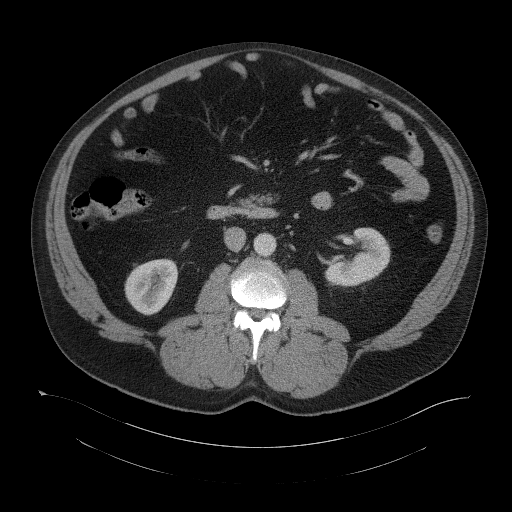
Contrast-enhanced abdominal CT, axial slice 62 of 104 (counted from the lowest slice); tube voltage 120 kVp, convolution kernel B41f; slices 5.00 mm thick, 0.977 mm per pixel.
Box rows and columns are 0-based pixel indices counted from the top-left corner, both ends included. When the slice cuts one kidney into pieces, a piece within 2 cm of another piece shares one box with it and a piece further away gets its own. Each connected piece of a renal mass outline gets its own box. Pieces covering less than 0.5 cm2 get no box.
Two boxes on this slice (two kidney boxes), listed by box centre from the image's left to its right. (1) Box rows 258–315, columns 124–177: right kidney (outlined area 2,280 px, about 21.7 cm2). (2) Box rows 227–286, columns 324–390: left kidney (outlined area 2,435 px, about 23.2 cm2). No renal mass outline on this slice.